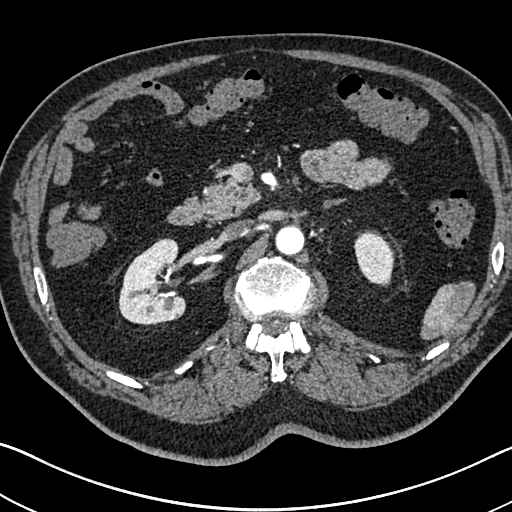
One axial slice (456 of 705, counting up from the lowest) of an arterial-phase abdominal CT acquired with 120 kVp, kernel I30f; each pixel is 0.703 mm and the slice is 1.00 mm thick.
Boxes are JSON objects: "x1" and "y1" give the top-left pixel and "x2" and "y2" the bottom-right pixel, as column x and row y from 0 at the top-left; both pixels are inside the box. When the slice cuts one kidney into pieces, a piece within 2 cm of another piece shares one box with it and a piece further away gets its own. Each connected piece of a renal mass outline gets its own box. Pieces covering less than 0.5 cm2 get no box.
Boxed on this slice (two kidney boxes), listed by box centre from the image's left to its right: (1) Right kidney at {"x1": 118, "y1": 238, "x2": 185, "y2": 325} (outlined area 4,304 px, about 21.3 cm2). (2) Left kidney at {"x1": 354, "y1": 230, "x2": 394, "y2": 287} (outlined area 1,727 px, about 8.5 cm2). This slice carries no renal mass outline.